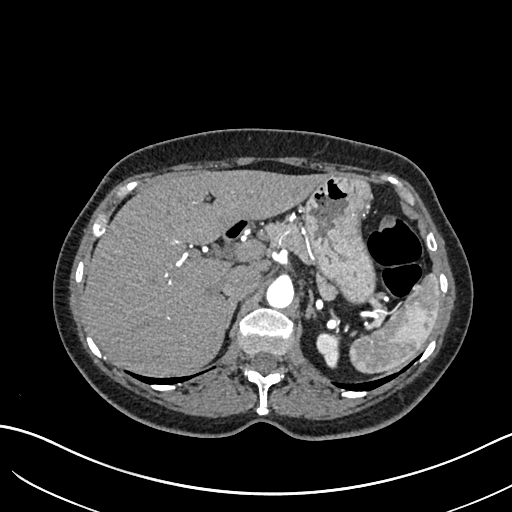
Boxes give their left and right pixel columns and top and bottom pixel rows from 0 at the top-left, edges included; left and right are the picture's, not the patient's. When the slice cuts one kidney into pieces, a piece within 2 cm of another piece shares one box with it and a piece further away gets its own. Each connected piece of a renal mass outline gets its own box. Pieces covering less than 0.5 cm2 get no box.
Arterial-phase contrast-enhanced abdominal CT, axial slice 473 of 683 (counted from the lowest slice); 1.00 mm thick, 0.738 mm per pixel. Left kidney in the box with left 316, top 332, right 340, bottom 368 (outlined area 654 px, about 3.6 cm2). No renal mass is outlined on this slice.
Acquired at 120 kVp and reconstructed with the I30f kernel.